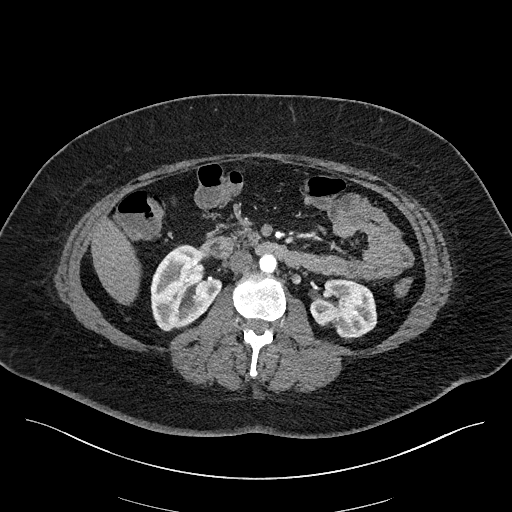
Axial slice 96 of 270 of a contrast-enhanced abdominal CT in the arterial phase (slice 1 is the lowest), 100 kVp, kernel I40f; 2.00 mm slice thickness and 0.855 mm pixels.
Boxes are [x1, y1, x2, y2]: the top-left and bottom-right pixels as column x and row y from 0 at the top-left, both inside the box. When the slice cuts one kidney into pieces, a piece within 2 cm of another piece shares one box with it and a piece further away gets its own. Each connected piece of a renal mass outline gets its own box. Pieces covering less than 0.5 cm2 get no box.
Two kidney boxes on this slice; by box centre, from the image's left to its right: (1) Right kidney at [150, 244, 222, 331] (outlined area 4,295 px, about 31.4 cm2). (2) Box [310, 279, 377, 339]: left kidney (outlined area 3,008 px, about 22.0 cm2). No renal mass outline on this slice.